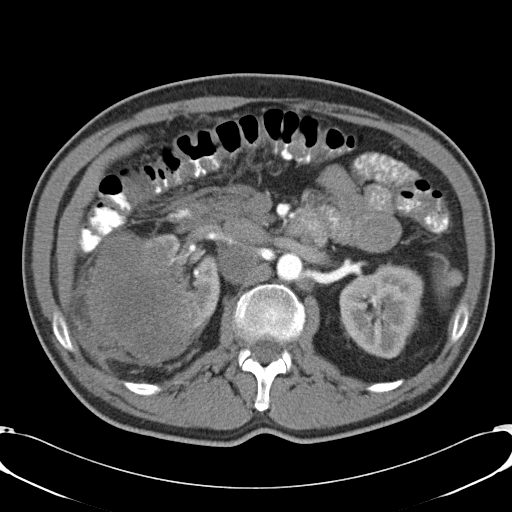
Abdominal CT with intravenous contrast, axial plane, 120 kVp, kernel B31f. Slice 28/57 from the bottom of the scan; thickness 5.00 mm; pixel size 0.732 mm.
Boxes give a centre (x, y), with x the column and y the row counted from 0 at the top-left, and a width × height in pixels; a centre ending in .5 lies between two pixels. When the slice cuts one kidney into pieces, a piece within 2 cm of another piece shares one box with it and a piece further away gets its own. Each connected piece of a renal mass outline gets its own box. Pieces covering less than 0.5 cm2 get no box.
Three boxes on this slice (two kidney boxes and one renal mass box), listed by box centre from the image's left to its right. (1) Right renal mass, box centre (143.5, 297), 120 × 131 pixels (outlined area 10,876 px, about 58.3 cm2). (2) Right kidney, box centre (184, 278), 73 × 91 pixels (outlined area 2,942 px, about 15.8 cm2). (3) Box centre (380, 311), 83 × 95 pixels: left kidney (outlined area 5,959 px, about 32.0 cm2).